Axial slice 160 of 314 of a contrast-enhanced abdominal CT (slice 1 is the lowest), 130 kVp, kernel B31s; 2.50 mm slice thickness and 0.934 mm pixels.
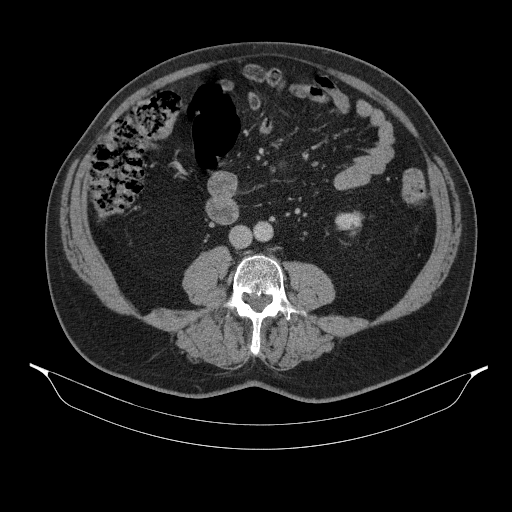
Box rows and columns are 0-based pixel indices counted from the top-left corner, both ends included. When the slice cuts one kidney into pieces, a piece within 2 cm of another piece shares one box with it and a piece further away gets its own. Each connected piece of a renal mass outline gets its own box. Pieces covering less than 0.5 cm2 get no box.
Box rows 211–235, columns 335–363: left kidney (outlined area 487 px, about 4.2 cm2). No renal mass outline on this slice.